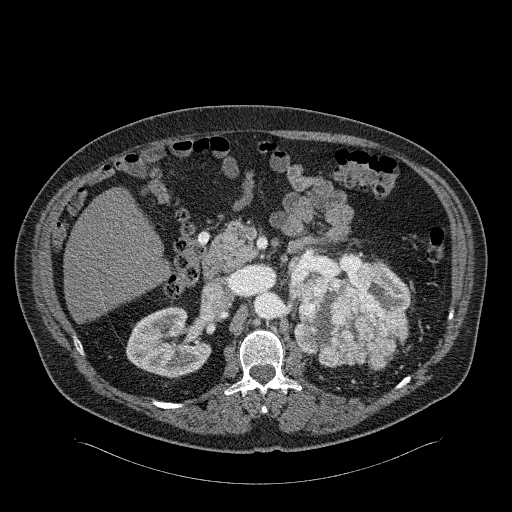
One axial slice (147 of 326, counting up from the lowest) of an arterial-phase abdominal CT acquired with 120 kVp, kernel B31f; each pixel is 0.963 mm and the slice is 2.00 mm thick.
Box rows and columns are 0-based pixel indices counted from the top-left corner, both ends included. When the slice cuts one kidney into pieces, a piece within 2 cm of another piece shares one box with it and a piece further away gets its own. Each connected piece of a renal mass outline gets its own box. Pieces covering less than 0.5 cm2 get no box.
Boxed on this slice (two kidney boxes and one renal mass box), listed by box centre from the image's left to its right: (1) Right kidney at rows 306–378, columns 126–211 (outlined area 4,376 px, about 40.6 cm2). (2) Left renal mass, box rows 262–369, columns 293–409 (outlined area 8,386 px, about 77.8 cm2). (3) Left kidney at rows 261–310, columns 369–410 (outlined area 1,337 px, about 12.4 cm2).